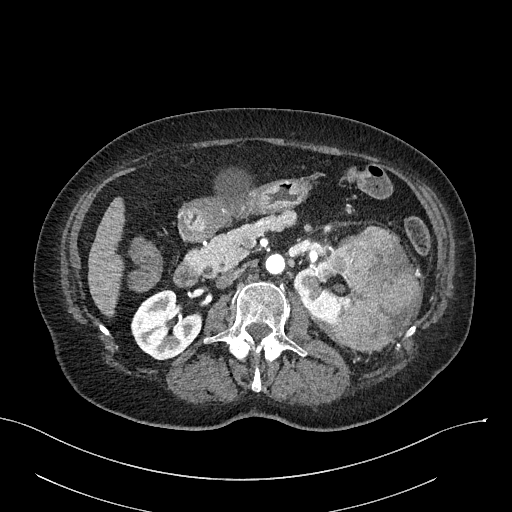
Axial slice 136 of 316 of a contrast-enhanced abdominal CT in the arterial phase (slice 1 is the lowest), 100 kVp, kernel I40f; 2.00 mm slice thickness and 0.840 mm pixels.
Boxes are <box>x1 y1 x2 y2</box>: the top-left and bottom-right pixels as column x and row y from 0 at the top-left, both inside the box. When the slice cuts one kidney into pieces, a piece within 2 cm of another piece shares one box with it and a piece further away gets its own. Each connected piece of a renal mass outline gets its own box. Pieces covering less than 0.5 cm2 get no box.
Three boxes on this slice (two kidney boxes and one renal mass box), listed by box centre from the image's left to its right. (1) At <box>130 289 201 360</box>: right kidney (outlined area 3,417 px, about 24.1 cm2). (2) Left kidney at <box>293 245 349 323</box> (outlined area 2,700 px, about 19.0 cm2). (3) At <box>330 225 422 350</box>: left renal mass (outlined area 8,062 px, about 56.9 cm2).